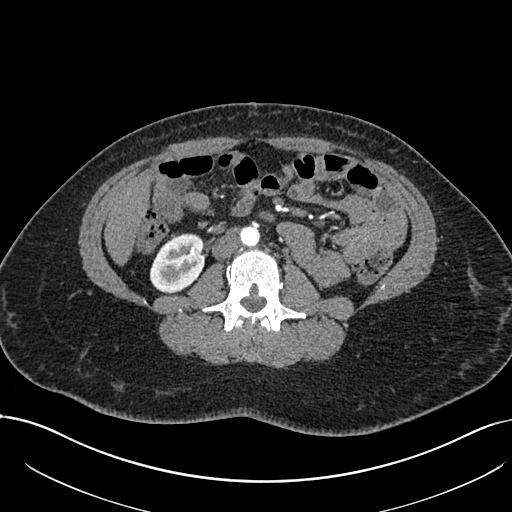
Arterial-phase contrast-enhanced abdominal CT, axial slice 342 of 738 (counted from the lowest slice); tube voltage 120 kVp, convolution kernel I30f; slices 1.00 mm thick, 0.789 mm per pixel.
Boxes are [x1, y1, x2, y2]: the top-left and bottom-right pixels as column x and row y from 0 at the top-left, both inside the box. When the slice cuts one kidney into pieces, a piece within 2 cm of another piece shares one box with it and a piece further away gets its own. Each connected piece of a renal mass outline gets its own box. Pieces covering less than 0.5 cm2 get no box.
Right kidney, box [150, 233, 204, 292] (outlined area 2,470 px, about 15.4 cm2). This slice carries no renal mass outline.